Abdominal CT with intravenous contrast, arterial phase, axial plane, 120 kVp, kernel I30f. Slice 433/705 from the bottom of the scan; thickness 1.00 mm; pixel size 0.703 mm.
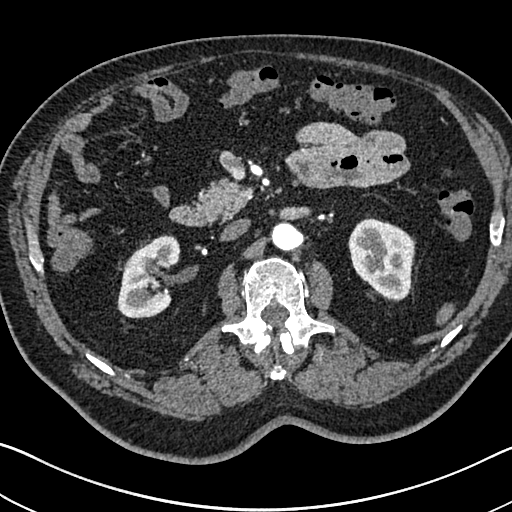
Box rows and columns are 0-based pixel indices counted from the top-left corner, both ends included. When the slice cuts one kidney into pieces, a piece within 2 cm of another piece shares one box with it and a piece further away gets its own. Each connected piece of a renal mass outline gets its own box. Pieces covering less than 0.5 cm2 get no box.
Two kidney boxes on this slice; by box centre, from the image's left to its right: (1) Box rows 235–318, columns 117–180: right kidney (outlined area 3,781 px, about 18.7 cm2). (2) Box rows 218–301, columns 348–414: left kidney (outlined area 4,136 px, about 20.4 cm2). No renal mass is outlined on this slice.